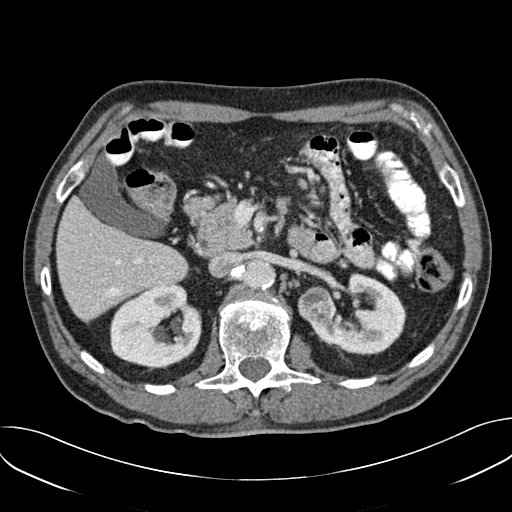
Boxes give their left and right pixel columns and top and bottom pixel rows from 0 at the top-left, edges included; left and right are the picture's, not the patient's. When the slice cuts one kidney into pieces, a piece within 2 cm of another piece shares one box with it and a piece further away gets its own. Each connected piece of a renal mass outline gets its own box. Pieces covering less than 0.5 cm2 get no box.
This is axial slice 109 of 157 (slice 1 is the lowest) of an arterial-phase abdominal CT with contrast; each pixel is 0.742 mm and the slice is 3.00 mm thick. Three boxes on this slice (two kidney boxes and one renal mass box), listed by box centre from the image's left to its right. (1) Right kidney, the box with left 110, top 285, right 201, bottom 370 (outlined area 5,860 px, about 32.3 cm2). (2) Left renal mass in the box with left 302, top 289, right 330, bottom 320 (outlined area 785 px, about 4.3 cm2). (3) Box with left 297, top 272, right 405, bottom 354: left kidney (outlined area 5,212 px, about 28.7 cm2).
Tube voltage 120 kVp; convolution kernel B30f.